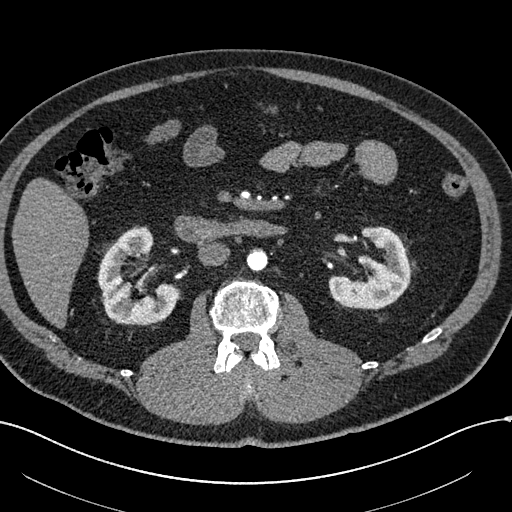
Abdominal CT with intravenous contrast, arterial phase, axial plane, 120 kVp, kernel I30f. Slice 321/602 from the bottom of the scan; thickness 1.00 mm; pixel size 0.799 mm.
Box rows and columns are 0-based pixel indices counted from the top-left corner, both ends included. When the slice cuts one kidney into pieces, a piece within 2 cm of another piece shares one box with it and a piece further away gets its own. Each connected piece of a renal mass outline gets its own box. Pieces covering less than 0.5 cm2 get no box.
Boxed on this slice (two kidney boxes), listed by box centre from the image's left to its right: (1) Right kidney at rows 227–325, columns 97–178 (outlined area 4,971 px, about 31.7 cm2). (2) Box rows 226–309, columns 328–410: left kidney (outlined area 4,332 px, about 27.6 cm2).